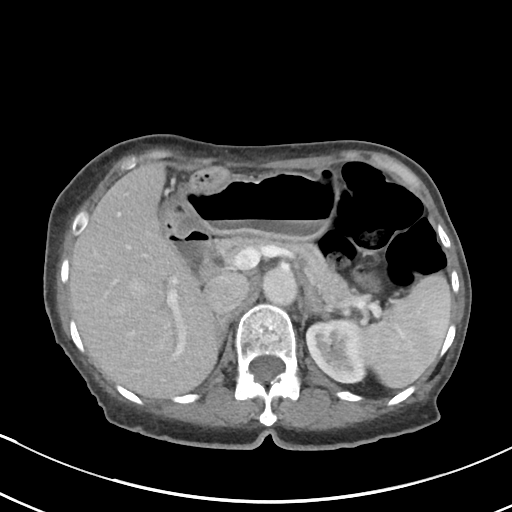
Axial slice 66 of 80 of a contrast-enhanced abdominal CT in the arterial phase (slice 1 is the lowest), 100 kVp, kernel I40f; 5.00 mm slice thickness and 0.648 mm pixels.
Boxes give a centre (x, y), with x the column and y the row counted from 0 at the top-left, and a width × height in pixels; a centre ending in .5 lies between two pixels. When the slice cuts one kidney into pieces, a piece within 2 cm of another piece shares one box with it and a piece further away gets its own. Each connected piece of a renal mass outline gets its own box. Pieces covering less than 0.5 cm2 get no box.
Left kidney in a box with centre (336, 352), 61 × 63 pixels (outlined area 2,701 px, about 11.4 cm2). No renal mass is outlined on this slice.